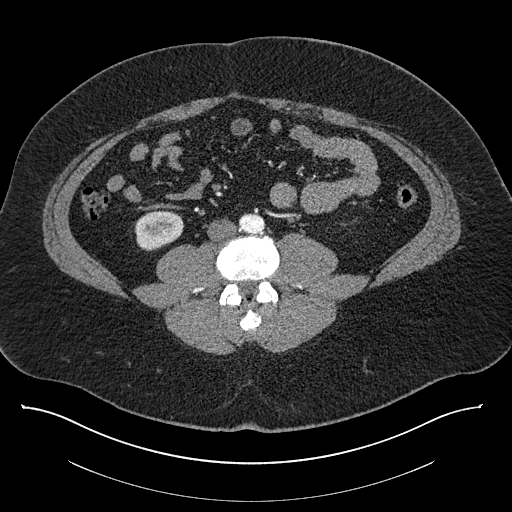
One axial slice (341 of 787, counting up from the lowest) of a contrast-enhanced abdominal CT acquired with 140 kVp, kernel I30f; each pixel is 0.910 mm and the slice is 1.00 mm thick.
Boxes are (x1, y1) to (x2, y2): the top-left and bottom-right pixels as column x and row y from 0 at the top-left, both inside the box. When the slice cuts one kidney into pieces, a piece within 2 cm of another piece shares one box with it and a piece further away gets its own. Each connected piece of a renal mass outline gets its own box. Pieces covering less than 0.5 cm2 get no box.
Right kidney, box (134, 210) to (183, 251) (outlined area 1,561 px, about 12.9 cm2). No renal mass is outlined on this slice.